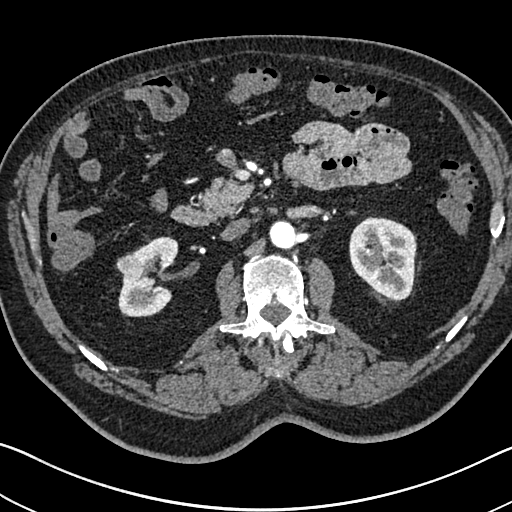
One axial slice (425 of 705, counting up from the lowest) of an arterial-phase abdominal CT acquired with 120 kVp, kernel I30f; each pixel is 0.703 mm and the slice is 1.00 mm thick.
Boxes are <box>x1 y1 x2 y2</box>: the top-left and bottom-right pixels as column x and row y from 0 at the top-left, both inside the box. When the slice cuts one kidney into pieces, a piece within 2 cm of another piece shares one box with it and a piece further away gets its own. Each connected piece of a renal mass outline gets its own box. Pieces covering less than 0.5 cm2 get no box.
Boxed on this slice (two kidney boxes and one renal mass box), listed by box centre from the image's left to its right: (1) Right renal mass at <box>116 253 139 274</box> (outlined area 362 px, about 1.8 cm2). (2) Right kidney: <box>118 236 178 317</box> (outlined area 3,277 px, about 16.2 cm2). (3) Left kidney at <box>349 216 416 301</box> (outlined area 4,462 px, about 22.1 cm2).